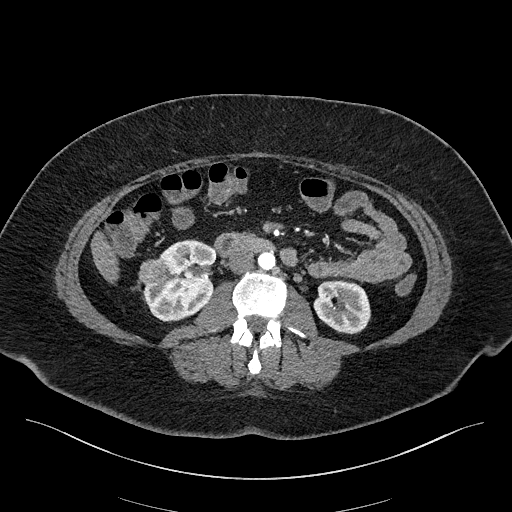
Abdominal CT with intravenous contrast, arterial phase, axial plane, 100 kVp, kernel I40f. Slice 84/270 from the bottom of the scan; thickness 2.00 mm; pixel size 0.855 mm.
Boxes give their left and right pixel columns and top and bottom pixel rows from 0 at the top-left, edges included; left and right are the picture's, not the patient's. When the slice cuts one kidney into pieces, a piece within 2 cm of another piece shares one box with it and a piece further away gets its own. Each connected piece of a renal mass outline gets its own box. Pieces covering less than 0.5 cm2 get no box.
Two kidney boxes and one renal mass box on this slice; by box centre, from the image's left to its right: (1) Right renal mass, the box with left 138, top 259, right 165, bottom 285 (outlined area 614 px, about 4.5 cm2). (2) Box with left 143, top 239, right 217, bottom 321: right kidney (outlined area 4,141 px, about 30.3 cm2). (3) Left kidney, the box with left 313, top 280, right 370, bottom 334 (outlined area 2,430 px, about 17.8 cm2).